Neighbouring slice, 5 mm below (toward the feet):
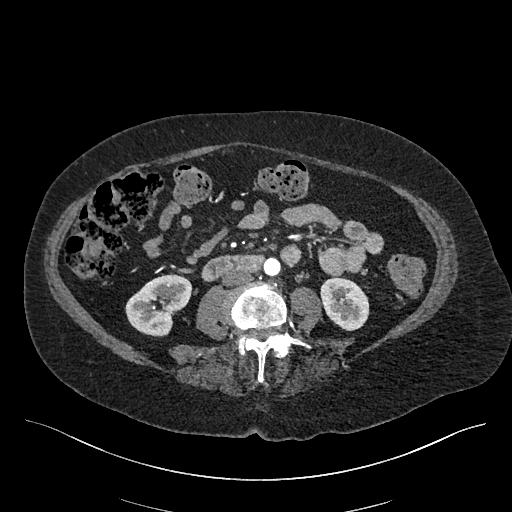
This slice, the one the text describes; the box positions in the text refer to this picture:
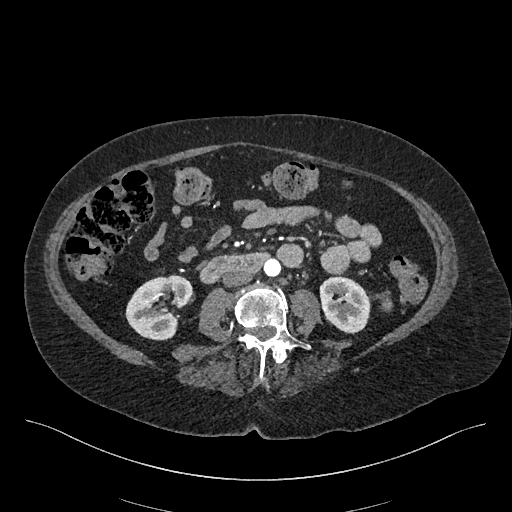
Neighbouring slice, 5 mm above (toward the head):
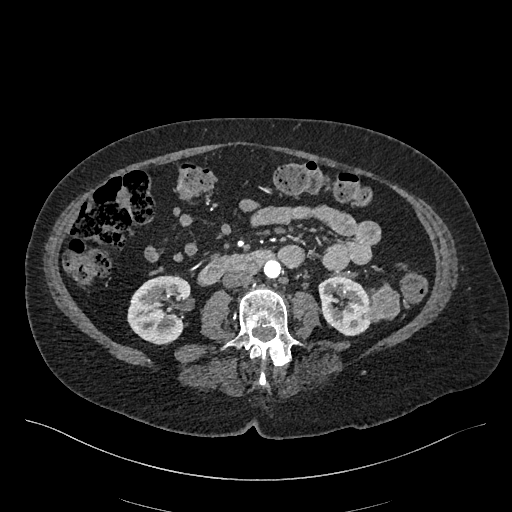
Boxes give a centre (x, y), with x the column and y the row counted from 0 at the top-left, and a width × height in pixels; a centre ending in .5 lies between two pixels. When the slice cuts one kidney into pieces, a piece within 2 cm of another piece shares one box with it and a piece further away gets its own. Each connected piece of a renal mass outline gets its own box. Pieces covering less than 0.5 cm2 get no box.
Arterial-phase contrast-enhanced abdominal CT, axial slice 194 of 548 (counted from the lowest slice); 1.00 mm thick, 0.852 mm per pixel. Three boxes on this slice (two kidney boxes and one renal mass box), listed by box centre from the image's left to its right. (1) Right kidney in a box with centre (158.5, 307), 68 × 67 pixels (outlined area 3,098 px, about 22.5 cm2). (2) Left kidney in a box with centre (344.5, 304.5), 52 × 58 pixels (outlined area 2,295 px, about 16.6 cm2). (3) Left renal mass, box centre (384, 301), 17 × 21 pixels (outlined area 210 px, about 1.5 cm2). This slice is near the end of the left renal mass toward the feet, so the slices 5 mm below and 5 mm above it are shown as well; the boxes refer to this slice only.
Tube voltage 120 kVp; convolution kernel I26f.